One axial slice (267 of 1059, counting up from the lowest) of an arterial-phase abdominal CT acquired with 100 kVp, kernel I30f; each pixel is 0.811 mm and the slice is 1.00 mm thick.
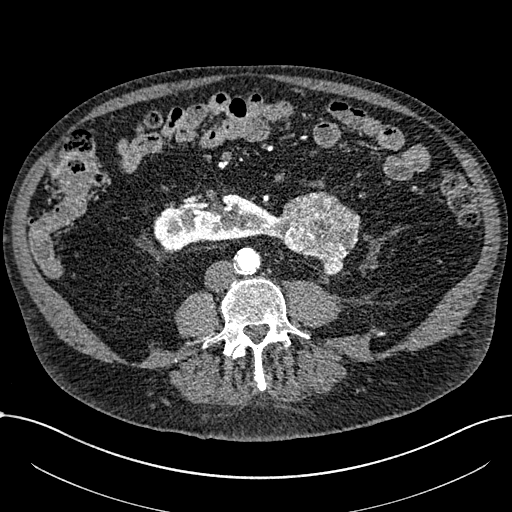
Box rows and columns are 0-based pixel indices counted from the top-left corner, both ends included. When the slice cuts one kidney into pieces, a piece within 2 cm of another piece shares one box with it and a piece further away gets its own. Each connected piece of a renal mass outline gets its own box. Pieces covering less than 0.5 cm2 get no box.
Boxed on this slice (one kidney box and one renal mass box), listed by box centre from the image's left to its right: (1) Right part of the midline-crossing kidney at rows 193–251, columns 154–277 (outlined area 4,798 px, about 31.5 cm2). (2) Box rows 191–274, columns 275–360: renal mass (outlined area 4,730 px, about 31.1 cm2).